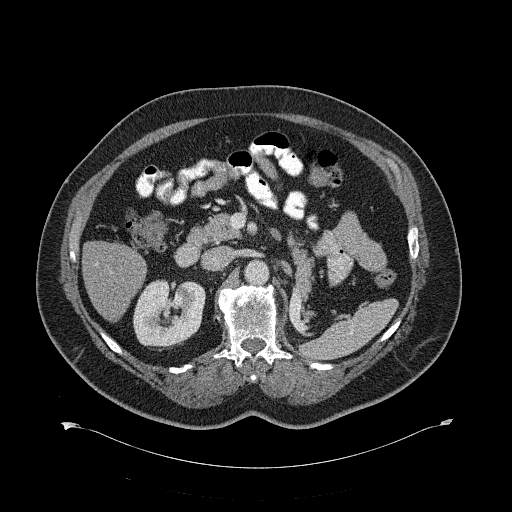
Abdominal CT with intravenous contrast, axial plane, 120 kVp, kernel B31f. Slice 391/734 from the bottom of the scan; thickness 2.00 mm; pixel size 0.971 mm.
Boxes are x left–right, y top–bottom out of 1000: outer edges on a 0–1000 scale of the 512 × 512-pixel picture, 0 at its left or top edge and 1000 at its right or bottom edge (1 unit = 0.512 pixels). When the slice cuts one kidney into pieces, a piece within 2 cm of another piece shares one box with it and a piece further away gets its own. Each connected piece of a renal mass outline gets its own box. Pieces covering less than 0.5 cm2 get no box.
Box x 260–400, y 543–688 out of 1000: right kidney (outlined area 4,073 px, about 38.4 cm2). This slice carries no renal mass outline.